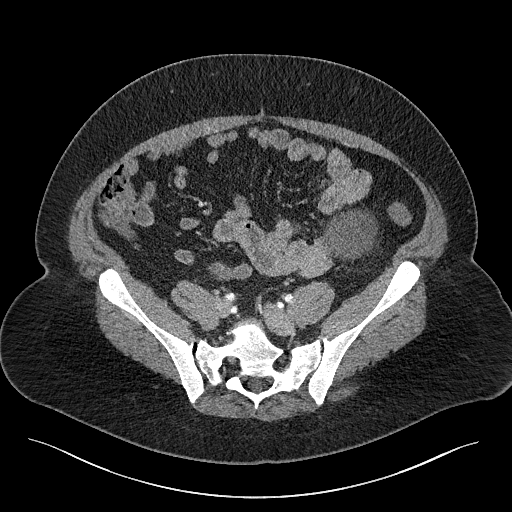
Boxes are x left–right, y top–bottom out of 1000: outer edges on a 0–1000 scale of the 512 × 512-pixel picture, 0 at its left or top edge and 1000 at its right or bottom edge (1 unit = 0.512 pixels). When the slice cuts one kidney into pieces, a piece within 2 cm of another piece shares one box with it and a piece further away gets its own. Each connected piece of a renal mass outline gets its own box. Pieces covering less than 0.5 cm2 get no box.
This is axial slice 25 of 301 (slice 1 is the lowest) of an abdominal CT with contrast; each pixel is 0.859 mm and the slice is 2.00 mm thick. Left renal mass, box x 627–738, y 408–510 out of 1000 (outlined area 2,154 px, about 15.9 cm2); this slice has no kidney outline, though on another slice the same outlined renal mass lies within 1 cm of the kidney.
Scan settings: 120 kVp, I40f reconstruction kernel.